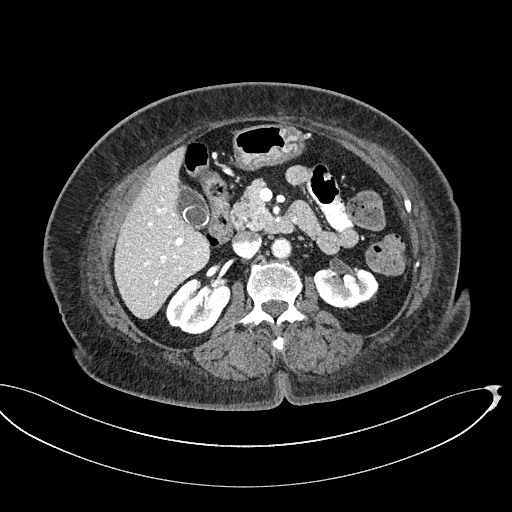
Contrast-enhanced abdominal CT, axial slice 302 of 439 (counted from the lowest slice); tube voltage 100 kVp, convolution kernel I40f; slices 2.00 mm thick, 0.850 mm per pixel.
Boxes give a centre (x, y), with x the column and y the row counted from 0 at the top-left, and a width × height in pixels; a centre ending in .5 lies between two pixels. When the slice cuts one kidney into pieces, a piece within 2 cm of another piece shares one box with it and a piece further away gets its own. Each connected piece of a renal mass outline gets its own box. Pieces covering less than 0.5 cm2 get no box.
Two kidney boxes on this slice; by box centre, from the image's left to its right: (1) Right kidney in a box with centre (197.5, 306), 66 × 57 pixels (outlined area 2,596 px, about 18.7 cm2). (2) Left kidney, box centre (345.5, 288), 66 × 43 pixels (outlined area 2,160 px, about 15.6 cm2). No renal mass outline on this slice.